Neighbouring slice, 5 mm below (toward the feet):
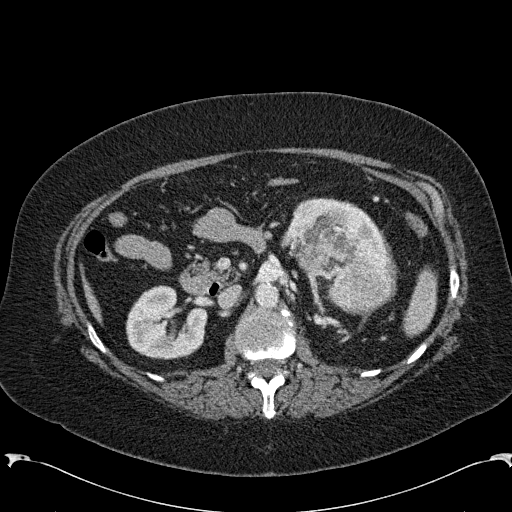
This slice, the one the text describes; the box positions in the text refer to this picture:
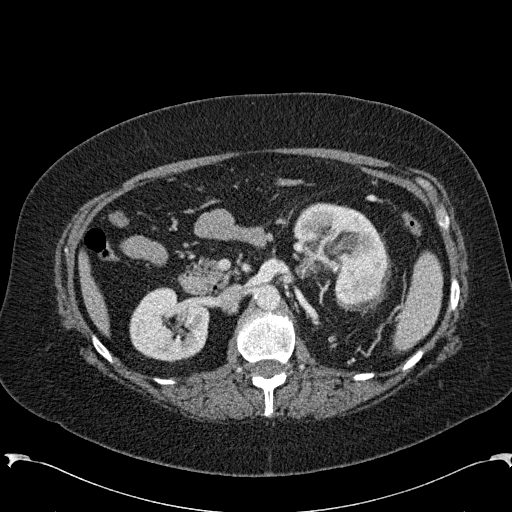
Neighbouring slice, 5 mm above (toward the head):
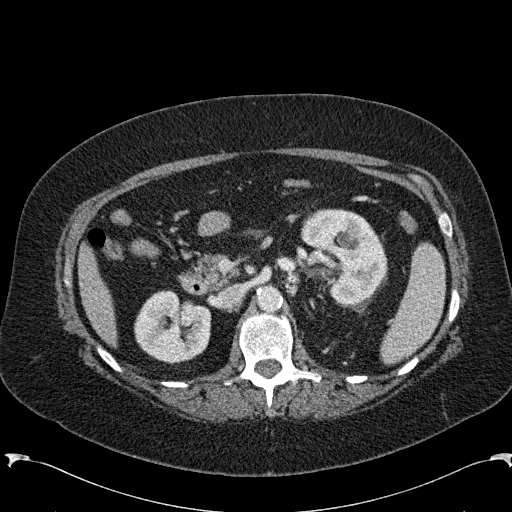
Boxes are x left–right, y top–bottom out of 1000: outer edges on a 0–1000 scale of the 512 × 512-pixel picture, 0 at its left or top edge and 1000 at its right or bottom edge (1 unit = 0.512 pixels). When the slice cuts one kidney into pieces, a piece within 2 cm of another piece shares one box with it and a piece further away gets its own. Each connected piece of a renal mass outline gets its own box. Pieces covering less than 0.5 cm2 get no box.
Arterial-phase contrast-enhanced abdominal CT, axial slice 143 of 285 (counted from the lowest slice); 2.00 mm thick, 0.762 mm per pixel. Boxed on this slice (two kidney boxes and one renal mass box), listed by box centre from the image's left to its right: (1) Right kidney at x 252–410, y 561–709 out of 1000 (outlined area 4,592 px, about 26.6 cm2). (2) Box x 572–762, y 395–605 out of 1000: left kidney (outlined area 4,755 px, about 27.6 cm2). (3) Left renal mass at x 664–766, y 490–602 out of 1000 (outlined area 2,311 px, about 13.4 cm2). This slice lies near the end of the left renal mass toward the head; the slices 5 mm below and 5 mm above it are shown too, and the boxes mark positions on this slice only.
Scan settings: 120 kVp, B31f reconstruction kernel.